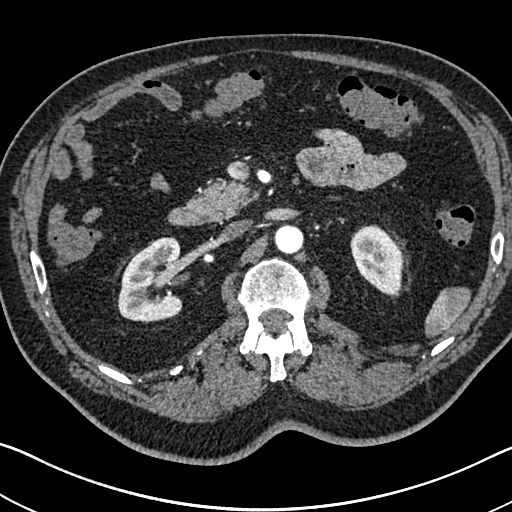
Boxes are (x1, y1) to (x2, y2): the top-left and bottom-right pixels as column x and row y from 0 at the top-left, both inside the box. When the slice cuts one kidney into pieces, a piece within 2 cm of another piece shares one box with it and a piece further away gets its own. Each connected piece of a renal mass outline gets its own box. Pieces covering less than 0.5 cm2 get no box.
Arterial-phase contrast-enhanced abdominal CT, axial slice 448 of 705 (counted from the lowest slice); 1.00 mm thick, 0.703 mm per pixel. Boxed on this slice (two kidney boxes), listed by box centre from the image's left to its right: (1) Right kidney from (118, 237) to (182, 321) (outlined area 4,204 px, about 20.8 cm2). (2) Box (350, 224) to (401, 295): left kidney (outlined area 2,650 px, about 13.1 cm2). This slice carries no renal mass outline.
Tube voltage 120 kVp; convolution kernel I30f.